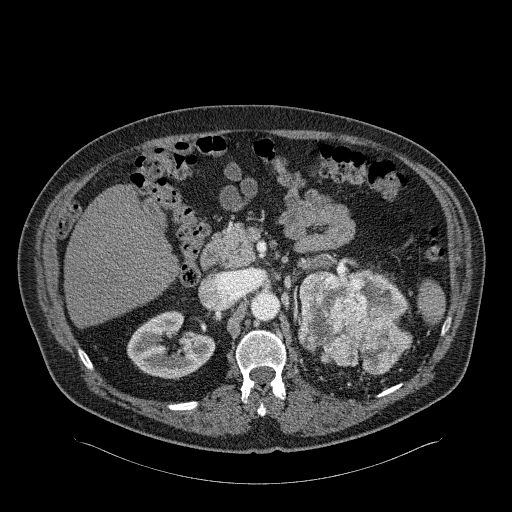
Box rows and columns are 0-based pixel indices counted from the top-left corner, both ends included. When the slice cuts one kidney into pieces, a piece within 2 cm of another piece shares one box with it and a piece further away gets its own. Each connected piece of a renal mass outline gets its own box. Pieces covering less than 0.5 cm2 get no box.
Slice 156/326 of a contrast-enhanced abdominal CT in the arterial phase, counting up from the lowest; pixel size 0.963 mm, slice thickness 2.00 mm. Boxed on this slice (two kidney boxes and one renal mass box), listed by box centre from the image's left to its right: (1) Box rows 310–379, columns 127–215: right kidney (outlined area 3,952 px, about 36.6 cm2). (2) Left renal mass at rows 271–374, columns 298–412 (outlined area 7,738 px, about 71.7 cm2). (3) Left kidney, box rows 269–321, columns 358–407 (outlined area 1,420 px, about 13.2 cm2).
Tube voltage 120 kVp; convolution kernel B31f.